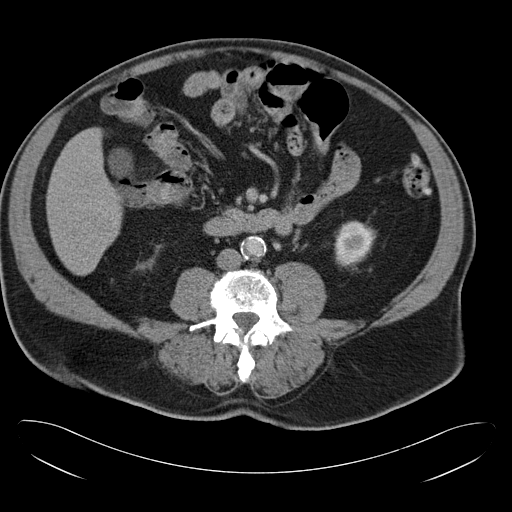
Axial slice 9 of 34 of a contrast-enhanced abdominal CT in the arterial phase (slice 1 is the lowest), 120 kVp, kernel B30f; 5.00 mm slice thickness and 0.830 mm pixels.
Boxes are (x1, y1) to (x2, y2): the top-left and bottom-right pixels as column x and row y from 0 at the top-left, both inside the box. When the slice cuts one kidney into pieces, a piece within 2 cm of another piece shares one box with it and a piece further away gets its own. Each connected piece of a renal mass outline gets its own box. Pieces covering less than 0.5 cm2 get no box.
Box (335, 222) to (372, 264): left kidney (outlined area 1,326 px, about 9.1 cm2). No renal mass is outlined on this slice.